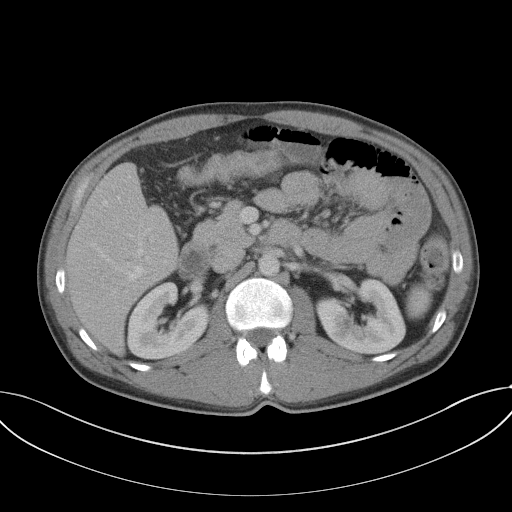
One axial slice (68 of 102, counting up from the lowest) of a contrast-enhanced abdominal CT acquired with 120 kVp, kernel B41f; each pixel is 0.807 mm and the slice is 5.00 mm thick.
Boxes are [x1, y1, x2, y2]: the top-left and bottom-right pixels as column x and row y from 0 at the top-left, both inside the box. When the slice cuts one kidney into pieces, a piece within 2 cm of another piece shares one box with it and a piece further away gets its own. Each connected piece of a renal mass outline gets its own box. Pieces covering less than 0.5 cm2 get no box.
Boxed on this slice (two kidney boxes and one renal mass box), listed by box centre from the image's left to its right: (1) Box [126, 281, 208, 360]: right kidney (outlined area 4,522 px, about 29.4 cm2). (2) Left renal mass at [338, 319, 353, 329] (outlined area 144 px, about 0.9 cm2). (3) Left kidney at [317, 278, 406, 354] (outlined area 4,611 px, about 30.0 cm2).